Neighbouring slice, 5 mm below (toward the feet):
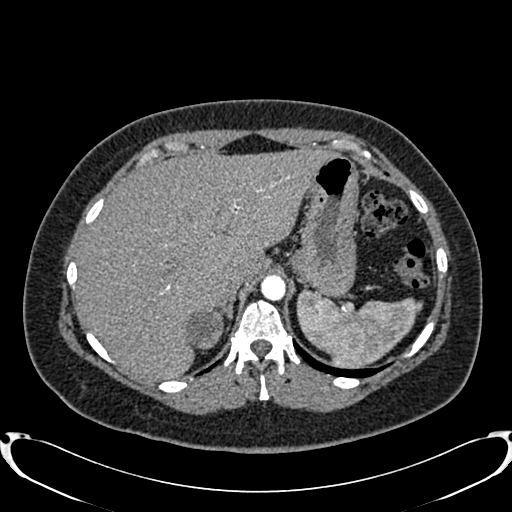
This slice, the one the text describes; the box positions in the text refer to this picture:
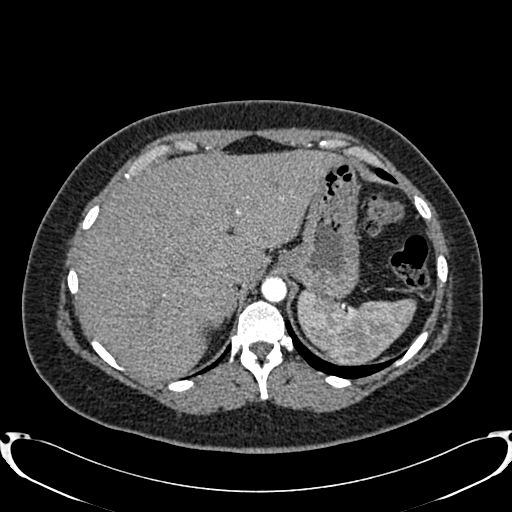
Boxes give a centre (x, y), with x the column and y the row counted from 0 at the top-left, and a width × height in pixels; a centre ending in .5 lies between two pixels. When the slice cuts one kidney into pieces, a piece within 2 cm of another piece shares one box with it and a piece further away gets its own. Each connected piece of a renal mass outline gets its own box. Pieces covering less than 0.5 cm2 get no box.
Arterial-phase contrast-enhanced abdominal CT, axial slice 645 of 719 (counted from the lowest slice); 1.00 mm thick, 0.766 mm per pixel. Box centre (206.5, 331), 14 × 13 pixels: right renal mass (outlined area 93 px, about 0.5 cm2); no kidney outline appears on this slice, but the same outlined renal mass comes within 1 cm of the kidney on another slice. This slice is near the end of the right renal mass toward the head, so the slice 5 mm below it is shown as well; the boxes refer to this slice only.
Scan settings: 120 kVp, B20f reconstruction kernel.